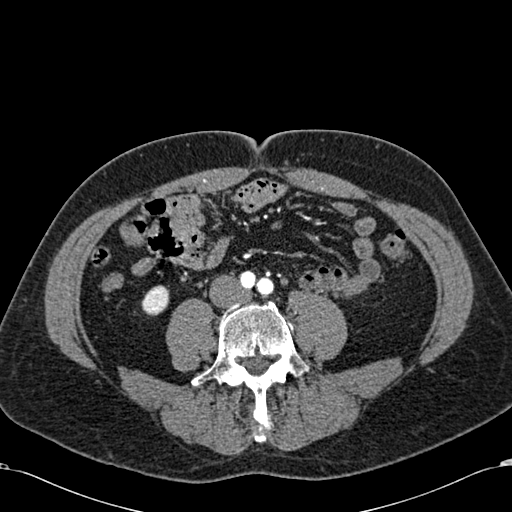
Axial slice 200 of 581 of a contrast-enhanced abdominal CT in the arterial phase (slice 1 is the lowest), 120 kVp, kernel B30f; 1.00 mm slice thickness and 0.713 mm pixels.
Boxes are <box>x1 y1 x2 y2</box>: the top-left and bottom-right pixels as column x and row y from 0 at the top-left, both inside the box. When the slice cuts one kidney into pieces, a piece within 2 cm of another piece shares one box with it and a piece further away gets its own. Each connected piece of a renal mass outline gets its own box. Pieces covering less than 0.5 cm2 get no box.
Right kidney: <box>141 285 169 315</box> (outlined area 666 px, about 3.4 cm2). This slice carries no renal mass outline.